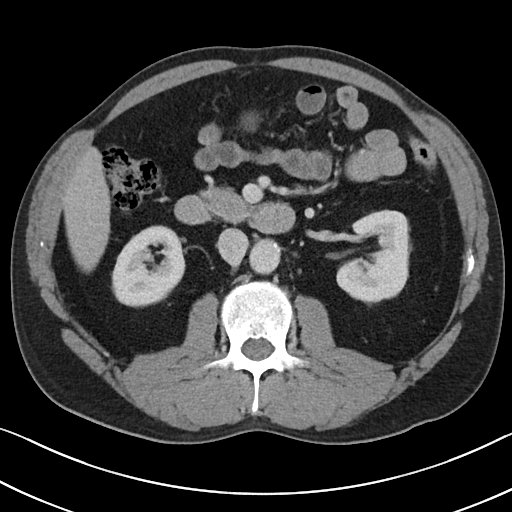
One axial slice (62 of 101, counting up from the lowest) of a contrast-enhanced abdominal CT acquired with 100 kVp, kernel I40f; each pixel is 0.684 mm and the slice is 5.00 mm thick.
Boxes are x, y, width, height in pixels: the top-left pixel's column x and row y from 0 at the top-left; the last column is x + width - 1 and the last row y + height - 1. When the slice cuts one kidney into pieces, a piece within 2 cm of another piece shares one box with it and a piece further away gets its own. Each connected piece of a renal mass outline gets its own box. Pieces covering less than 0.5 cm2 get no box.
Two kidney boxes on this slice; by box centre, from the image's left to its right: (1) Right kidney, box x 111, y 225, width 75, height 83 (outlined area 4,541 px, about 21.2 cm2). (2) Left kidney at x 336, y 209, width 74, height 95 (outlined area 4,909 px, about 22.9 cm2). This slice carries no renal mass outline.